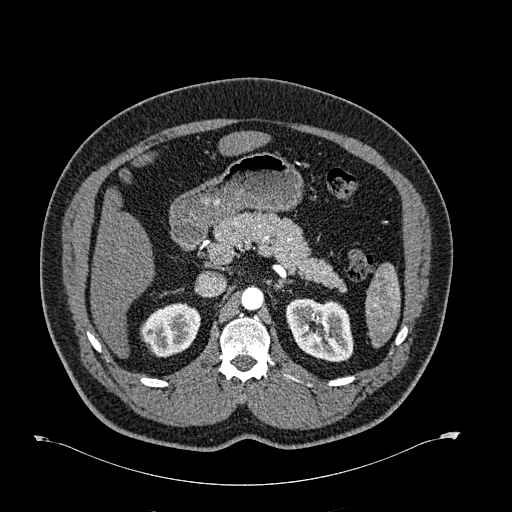
One axial slice (430 of 723, counting up from the lowest) of an arterial-phase abdominal CT acquired with 120 kVp, kernel B30f; each pixel is 0.895 mm and the slice is 1.00 mm thick.
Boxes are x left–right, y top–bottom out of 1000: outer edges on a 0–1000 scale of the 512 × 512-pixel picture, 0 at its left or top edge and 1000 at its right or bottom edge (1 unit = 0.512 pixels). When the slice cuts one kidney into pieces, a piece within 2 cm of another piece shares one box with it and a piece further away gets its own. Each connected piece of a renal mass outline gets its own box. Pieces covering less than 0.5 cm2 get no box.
Boxed on this slice (two kidney boxes), listed by box centre from the image's left to its right: (1) Right kidney at x 273–393, y 590–699 out of 1000 (outlined area 2,463 px, about 19.7 cm2). (2) Left kidney, box x 557–691, y 582–709 out of 1000 (outlined area 3,398 px, about 27.2 cm2). No renal mass is outlined on this slice.